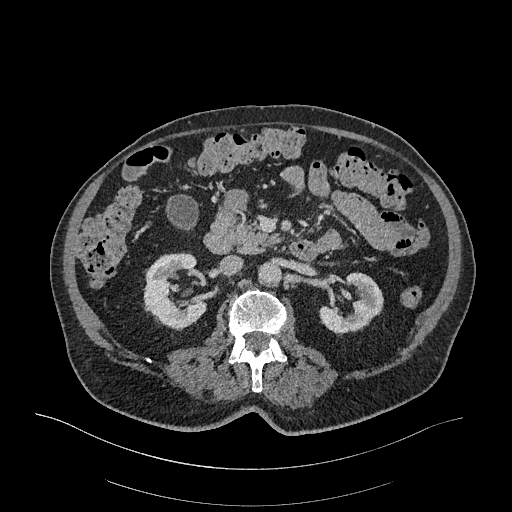
One axial slice (167 of 470, counting up from the lowest) of an arterial-phase abdominal CT acquired with 120 kVp, kernel I26f; each pixel is 0.938 mm and the slice is 1.00 mm thick.
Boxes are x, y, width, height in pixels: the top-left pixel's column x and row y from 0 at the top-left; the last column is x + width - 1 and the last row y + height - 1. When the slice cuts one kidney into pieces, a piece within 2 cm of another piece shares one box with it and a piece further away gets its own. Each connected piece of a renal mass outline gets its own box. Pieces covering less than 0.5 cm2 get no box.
Boxed on this slice (two kidney boxes), listed by box centre from the image's left to its right: (1) Right kidney at x 143, y 252, width 63, height 79 (outlined area 3,453 px, about 30.3 cm2). (2) Left kidney at x 319, y 272, width 65, height 64 (outlined area 2,480 px, about 21.8 cm2). No renal mass outline on this slice.